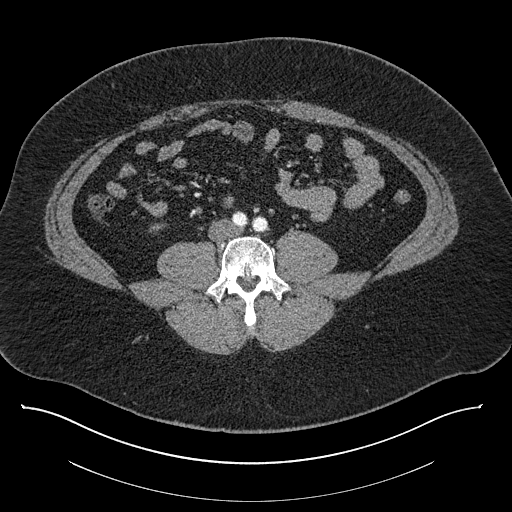
Axial slice 315 of 787 of a contrast-enhanced abdominal CT (slice 1 is the lowest), 140 kVp, kernel I30f; 1.00 mm slice thickness and 0.910 mm pixels.
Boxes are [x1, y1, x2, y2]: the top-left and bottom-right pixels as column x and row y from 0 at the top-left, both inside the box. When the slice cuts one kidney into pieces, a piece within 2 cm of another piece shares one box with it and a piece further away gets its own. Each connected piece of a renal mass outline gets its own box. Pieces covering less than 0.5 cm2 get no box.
Box [150, 224, 163, 232]: right kidney (outlined area 80 px, about 0.7 cm2). This slice carries no renal mass outline.